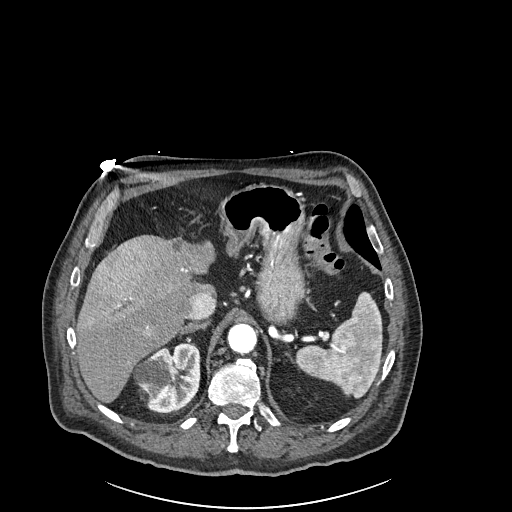
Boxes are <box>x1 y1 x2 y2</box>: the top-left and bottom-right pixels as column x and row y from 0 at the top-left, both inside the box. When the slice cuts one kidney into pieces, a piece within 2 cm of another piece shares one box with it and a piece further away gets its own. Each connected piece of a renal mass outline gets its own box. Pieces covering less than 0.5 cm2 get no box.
This is axial slice 179 of 261 (slice 1 is the lowest) of an arterial-phase abdominal CT with contrast; each pixel is 0.939 mm and the slice is 2.00 mm thick. Right kidney: <box>133 342 200 413</box> (outlined area 3,497 px, about 30.9 cm2). No renal mass outline on this slice.
Tube voltage 120 kVp; convolution kernel I30f.